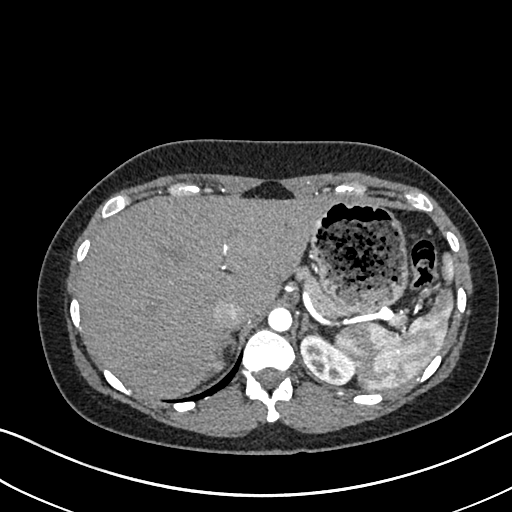
One axial slice (543 of 612, counting up from the lowest) of an arterial-phase abdominal CT acquired with 120 kVp, kernel I30f; each pixel is 0.703 mm and the slice is 1.00 mm thick.
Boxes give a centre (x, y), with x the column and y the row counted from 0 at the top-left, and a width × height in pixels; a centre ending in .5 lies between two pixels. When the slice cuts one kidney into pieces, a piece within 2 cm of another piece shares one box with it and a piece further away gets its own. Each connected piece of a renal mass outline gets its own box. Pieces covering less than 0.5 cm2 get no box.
Two boxes on this slice (two kidney boxes), listed by box centre from the image's left to its right. (1) Right kidney, box centre (214.5, 361.5), 20 × 20 pixels (outlined area 256 px, about 1.3 cm2). (2) Left kidney, box centre (327, 357), 55 × 55 pixels (outlined area 1,919 px, about 9.5 cm2). This slice carries no renal mass outline.